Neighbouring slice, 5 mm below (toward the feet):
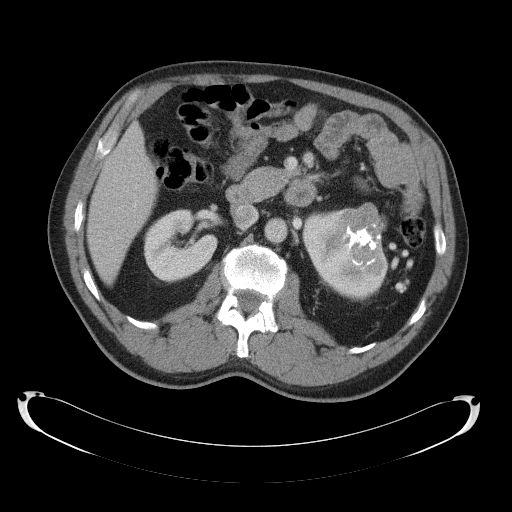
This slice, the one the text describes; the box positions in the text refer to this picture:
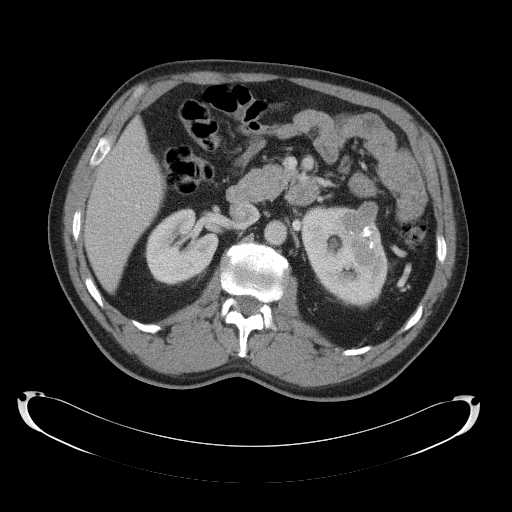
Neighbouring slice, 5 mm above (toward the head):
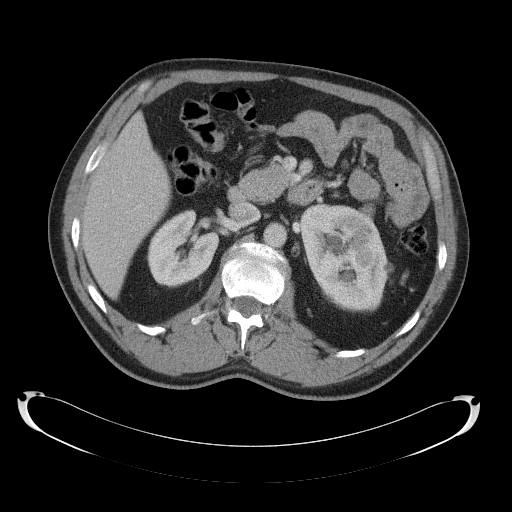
Abdominal CT with intravenous contrast, axial plane, 120 kVp, kernel B41f. Slice 71/145 from the bottom of the scan; thickness 5.00 mm; pixel size 0.859 mm.
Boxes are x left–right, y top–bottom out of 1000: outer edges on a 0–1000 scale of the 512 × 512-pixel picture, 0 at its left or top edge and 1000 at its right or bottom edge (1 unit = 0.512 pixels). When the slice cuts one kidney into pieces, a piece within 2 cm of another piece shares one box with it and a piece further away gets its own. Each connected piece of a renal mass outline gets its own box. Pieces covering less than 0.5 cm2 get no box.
Boxed on this slice (two kidney boxes and one renal mass box), listed by box centre from the image's left to its right: (1) Right kidney at x 281–428, y 406–559 out of 1000 (outlined area 4,121 px, about 30.4 cm2). (2) Left kidney at x 584–760, y 400–604 out of 1000 (outlined area 4,961 px, about 36.6 cm2). (3) Box x 666–758, y 393–535 out of 1000: left renal mass (outlined area 2,096 px, about 15.5 cm2). This slice is near the end of the left renal mass toward the head, so the slices 5 mm below and 5 mm above it are shown as well; the boxes refer to this slice only.